Abdominal CT with intravenous contrast, arterial phase, axial plane, 120 kVp, kernel I26f. Slice 168/470 from the bottom of the scan; thickness 1.00 mm; pixel size 0.938 mm.
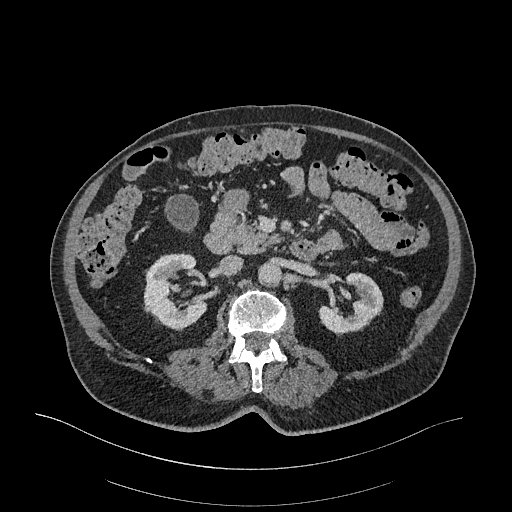
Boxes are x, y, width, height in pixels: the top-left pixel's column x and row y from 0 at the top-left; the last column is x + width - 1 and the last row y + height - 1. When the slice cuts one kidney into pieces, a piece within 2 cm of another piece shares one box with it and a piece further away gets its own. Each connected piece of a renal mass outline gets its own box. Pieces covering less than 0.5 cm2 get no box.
Two kidney boxes on this slice; by box centre, from the image's left to its right: (1) Box x 143, y 252, width 63, height 79: right kidney (outlined area 3,430 px, about 30.1 cm2). (2) Box x 318, y 272, width 66, height 65: left kidney (outlined area 2,508 px, about 22.0 cm2). This slice carries no renal mass outline.